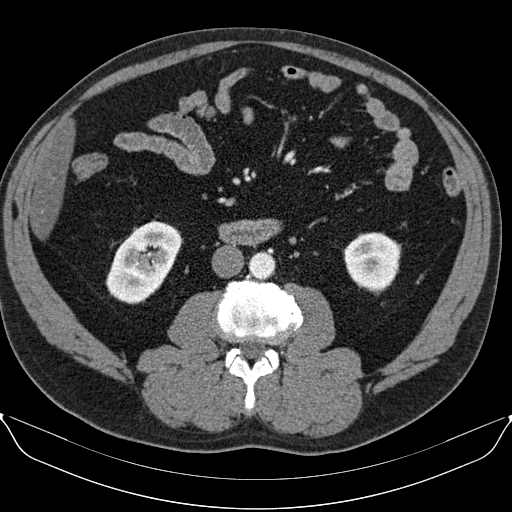
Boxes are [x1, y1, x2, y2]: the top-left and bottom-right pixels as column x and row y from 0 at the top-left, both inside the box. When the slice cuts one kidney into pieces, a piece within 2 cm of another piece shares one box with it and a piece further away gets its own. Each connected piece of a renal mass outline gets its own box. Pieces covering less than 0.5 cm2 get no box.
Slice 34/96 of a contrast-enhanced abdominal CT in the arterial phase, counting up from the lowest; pixel size 0.781 mm, slice thickness 3.00 mm. Two boxes on this slice (two kidney boxes), listed by box centre from the image's left to its right. (1) Right kidney, box [105, 220, 183, 304] (outlined area 4,284 px, about 26.1 cm2). (2) Box [343, 232, 401, 294]: left kidney (outlined area 2,717 px, about 16.6 cm2). This slice carries no renal mass outline.
Acquired at 130 kVp and reconstructed with the B30s kernel.